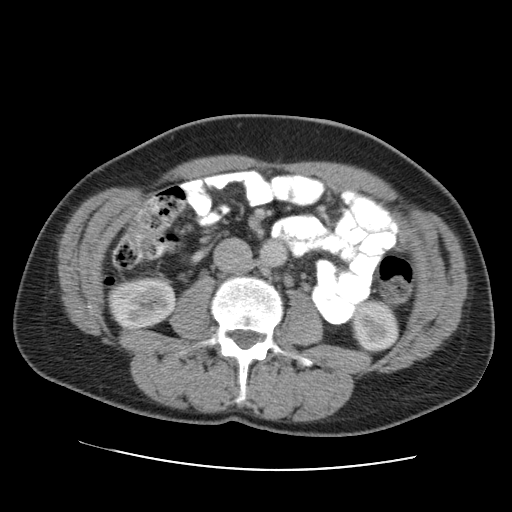
One axial slice (61 of 105, counting up from the lowest) of an arterial-phase abdominal CT acquired with 120 kVp, kernel STANDARD; each pixel is 0.707 mm and the slice is 5.00 mm thick.
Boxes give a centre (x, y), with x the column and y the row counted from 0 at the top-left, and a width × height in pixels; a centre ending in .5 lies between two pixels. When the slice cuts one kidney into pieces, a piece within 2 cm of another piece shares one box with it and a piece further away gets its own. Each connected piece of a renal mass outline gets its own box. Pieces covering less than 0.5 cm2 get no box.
Two kidney boxes on this slice; by box centre, from the image's left to its right: (1) Right kidney, box centre (141.5, 301.5), 68 × 54 pixels (outlined area 2,940 px, about 14.7 cm2). (2) Left kidney, box centre (374, 326), 51 × 55 pixels (outlined area 2,073 px, about 10.4 cm2). No renal mass outline on this slice.